Contrast-enhanced abdominal CT, axial slice 293 of 433 (counted from the lowest slice); tube voltage 120 kVp, convolution kernel B30f; slices 1.00 mm thick, 0.672 mm per pixel.
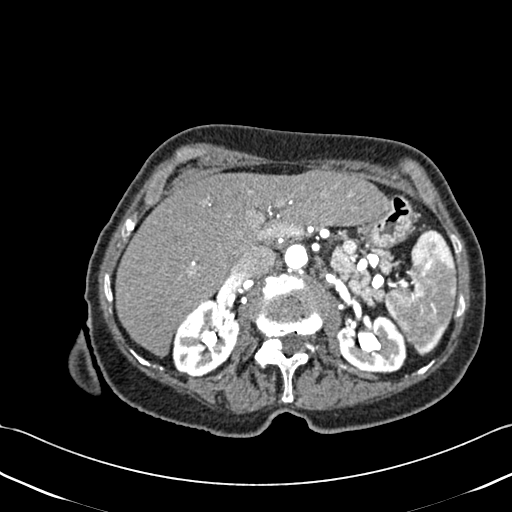
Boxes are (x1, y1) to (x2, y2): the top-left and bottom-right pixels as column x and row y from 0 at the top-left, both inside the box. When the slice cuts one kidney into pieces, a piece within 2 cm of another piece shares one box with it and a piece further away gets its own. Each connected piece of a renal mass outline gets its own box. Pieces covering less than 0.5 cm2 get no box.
Two kidney boxes on this slice; by box centre, from the image's left to its right: (1) Right kidney, box (172, 298) to (239, 377) (outlined area 3,812 px, about 17.2 cm2). (2) Left kidney from (336, 314) to (406, 373) (outlined area 3,131 px, about 14.1 cm2). No renal mass is outlined on this slice.